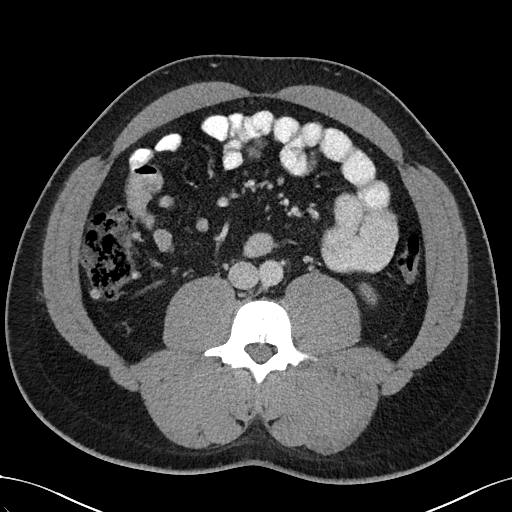
Abdominal CT with intravenous contrast, arterial phase, axial plane, 100 kVp, kernel I40f. Slice 55/102 from the bottom of the scan; thickness 5.00 mm; pixel size 0.781 mm.
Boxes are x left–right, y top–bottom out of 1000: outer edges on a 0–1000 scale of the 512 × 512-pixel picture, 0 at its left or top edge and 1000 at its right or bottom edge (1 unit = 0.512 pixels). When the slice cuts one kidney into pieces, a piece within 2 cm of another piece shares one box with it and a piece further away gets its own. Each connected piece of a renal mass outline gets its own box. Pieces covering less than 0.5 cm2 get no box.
Left kidney at x 701–736, y 553–596 out of 1000 (outlined area 268 px, about 1.6 cm2). No renal mass is outlined on this slice.